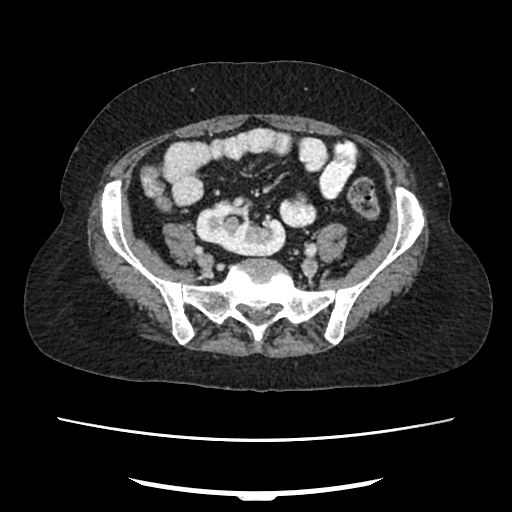
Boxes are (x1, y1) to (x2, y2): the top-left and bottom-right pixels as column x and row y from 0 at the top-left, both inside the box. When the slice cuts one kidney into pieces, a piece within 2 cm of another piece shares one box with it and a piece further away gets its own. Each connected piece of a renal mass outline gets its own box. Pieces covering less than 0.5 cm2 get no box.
Arterial-phase contrast-enhanced abdominal CT, axial slice 77 of 207 (counted from the lowest slice); 2.00 mm thick, 0.741 mm per pixel. Right kidney, box (195, 196) to (285, 255) (outlined area 3,636 px, about 20.0 cm2). No renal mass is outlined on this slice.
Tube voltage 120 kVp; convolution kernel FC18.